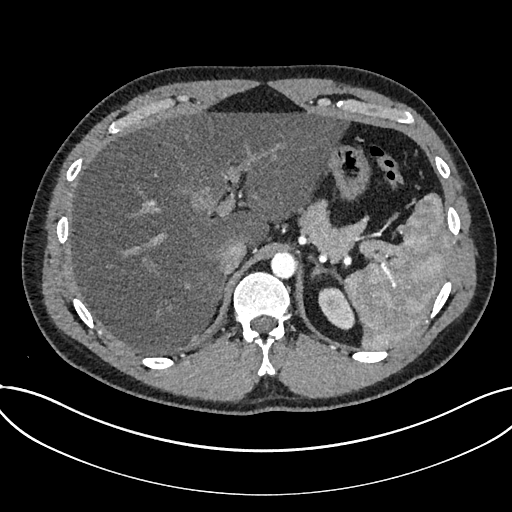
One axial slice (582 of 735, counting up from the lowest) of an arterial-phase abdominal CT acquired with 120 kVp, kernel I30f; each pixel is 0.789 mm and the slice is 1.00 mm thick.
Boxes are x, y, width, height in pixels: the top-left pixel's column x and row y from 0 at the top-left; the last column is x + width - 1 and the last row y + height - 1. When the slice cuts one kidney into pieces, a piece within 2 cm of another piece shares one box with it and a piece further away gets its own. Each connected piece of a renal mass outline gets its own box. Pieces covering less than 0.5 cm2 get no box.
Kidney at x 318, y 287, width 38, height 44 (outlined area 1,101 px, about 6.9 cm2). No renal mass outline on this slice.